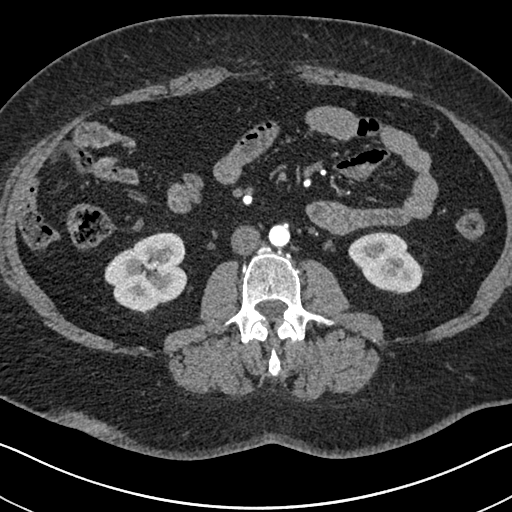
Arterial-phase contrast-enhanced abdominal CT, axial slice 322 of 591 (counted from the lowest slice); tube voltage 140 kVp, convolution kernel I30f; slices 1.00 mm thick, 0.703 mm per pixel.
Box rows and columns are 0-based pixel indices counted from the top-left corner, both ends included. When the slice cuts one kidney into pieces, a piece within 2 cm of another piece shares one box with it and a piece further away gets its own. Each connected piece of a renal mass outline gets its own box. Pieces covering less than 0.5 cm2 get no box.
Boxed on this slice (two kidney boxes), listed by box centre from the image's left to its right: (1) Box rows 232–313, columns 104–187: right kidney (outlined area 4,855 px, about 24.0 cm2). (2) Left kidney at rows 231–294, columns 348–423 (outlined area 3,270 px, about 16.2 cm2). No renal mass outline on this slice.